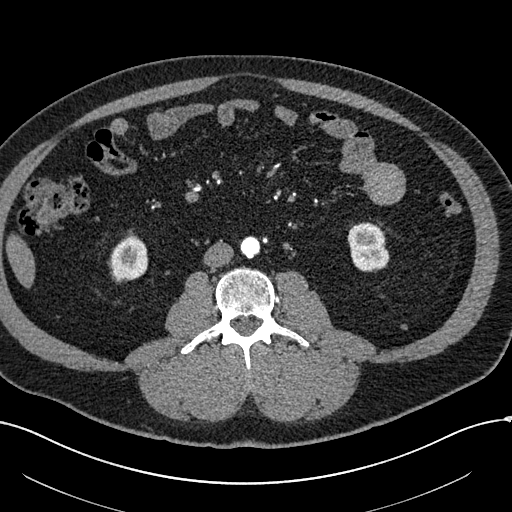
Abdominal CT with intravenous contrast, arterial phase, axial plane, 120 kVp, kernel I30f. Slice 223/602 from the bottom of the scan; thickness 1.00 mm; pixel size 0.799 mm.
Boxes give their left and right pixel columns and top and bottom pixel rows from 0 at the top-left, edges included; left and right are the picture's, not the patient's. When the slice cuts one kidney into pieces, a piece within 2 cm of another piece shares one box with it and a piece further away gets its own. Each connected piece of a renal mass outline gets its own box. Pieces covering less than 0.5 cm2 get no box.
Boxed on this slice (two kidney boxes), listed by box centre from the image's left to its right: (1) Box with left 111, top 236, right 147, bottom 282: right kidney (outlined area 1,359 px, about 8.7 cm2). (2) Left kidney in the box with left 347, top 222, right 389, bottom 271 (outlined area 1,653 px, about 10.5 cm2).